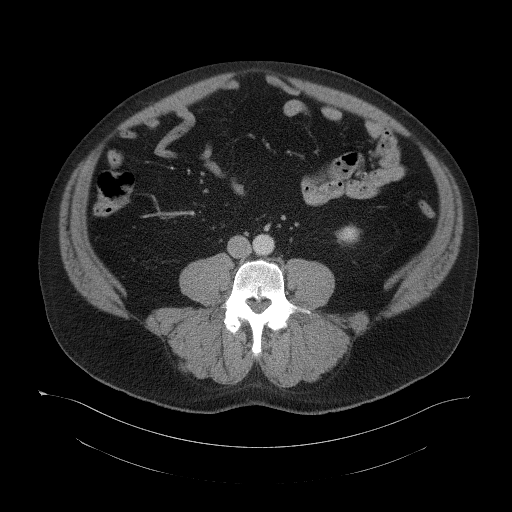
Axial slice 51 of 104 of a contrast-enhanced abdominal CT (slice 1 is the lowest), 120 kVp, kernel B41f; 5.00 mm slice thickness and 0.977 mm pixels.
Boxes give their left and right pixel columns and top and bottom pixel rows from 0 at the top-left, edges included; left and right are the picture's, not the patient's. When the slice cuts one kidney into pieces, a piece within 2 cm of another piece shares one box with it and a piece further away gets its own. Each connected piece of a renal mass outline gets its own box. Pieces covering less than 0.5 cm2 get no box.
Left kidney, the box with left 336, top 225, right 360, bottom 243 (outlined area 345 px, about 3.3 cm2). No renal mass outline on this slice.